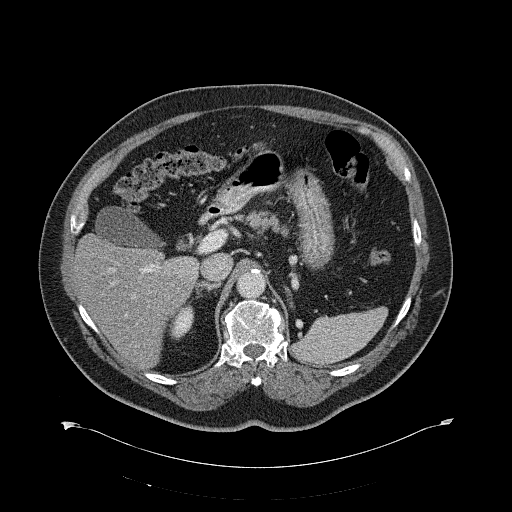
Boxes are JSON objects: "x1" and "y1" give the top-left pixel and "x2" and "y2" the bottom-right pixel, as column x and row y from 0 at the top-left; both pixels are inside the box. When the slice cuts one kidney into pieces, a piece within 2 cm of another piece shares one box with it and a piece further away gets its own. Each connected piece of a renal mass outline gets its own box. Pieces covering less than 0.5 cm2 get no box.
This is axial slice 428 of 734 (slice 1 is the lowest) of an abdominal CT with contrast; each pixel is 0.971 mm and the slice is 2.00 mm thick. Right kidney, box {"x1": 169, "y1": 303, "x2": 194, "y2": 340} (outlined area 581 px, about 5.5 cm2). This slice carries no renal mass outline.
Tube voltage 120 kVp; convolution kernel B31f.